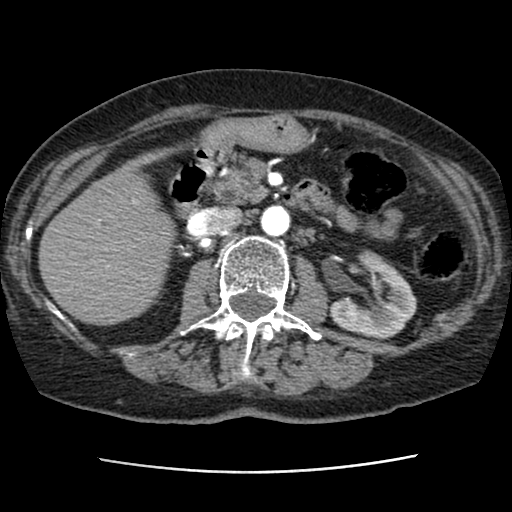
Abdominal CT with intravenous contrast, axial plane, 120 kVp, kernel STANDARD. Slice 46/76 from the bottom of the scan; thickness 2.50 mm; pixel size 0.586 mm.
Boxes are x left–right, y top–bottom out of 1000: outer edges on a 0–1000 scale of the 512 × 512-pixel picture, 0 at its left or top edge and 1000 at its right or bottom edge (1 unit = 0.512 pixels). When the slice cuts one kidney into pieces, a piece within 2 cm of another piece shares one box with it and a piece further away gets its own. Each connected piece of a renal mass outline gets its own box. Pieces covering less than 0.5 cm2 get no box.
Left kidney, box x 643–814, y 488–664 out of 1000 (outlined area 4,852 px, about 16.7 cm2). No renal mass outline on this slice.